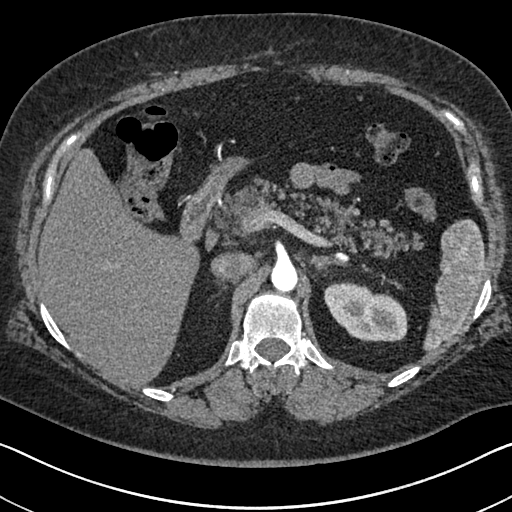
Axial slice 481 of 591 of a contrast-enhanced abdominal CT in the arterial phase (slice 1 is the lowest), 140 kVp, kernel I30f; 1.00 mm slice thickness and 0.703 mm pixels.
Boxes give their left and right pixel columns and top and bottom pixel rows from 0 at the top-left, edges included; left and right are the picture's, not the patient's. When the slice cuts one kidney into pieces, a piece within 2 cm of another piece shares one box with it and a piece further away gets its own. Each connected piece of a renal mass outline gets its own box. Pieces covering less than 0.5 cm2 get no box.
Left kidney, the box with left 324, top 282, right 408, bottom 341 (outlined area 3,668 px, about 18.1 cm2). No renal mass outline on this slice.